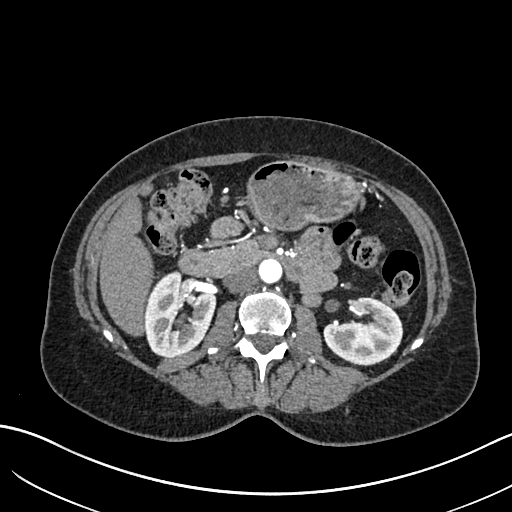
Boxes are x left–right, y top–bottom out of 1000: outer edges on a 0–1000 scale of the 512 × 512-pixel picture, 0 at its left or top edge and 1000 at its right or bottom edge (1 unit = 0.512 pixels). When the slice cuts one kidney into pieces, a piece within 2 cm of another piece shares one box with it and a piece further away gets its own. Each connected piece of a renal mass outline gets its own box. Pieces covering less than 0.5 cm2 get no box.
Slice 368/683 of a contrast-enhanced abdominal CT in the arterial phase, counting up from the lowest; pixel size 0.738 mm, slice thickness 1.00 mm. Boxed on this slice (two kidney boxes), listed by box centre from the image's left to its right: (1) Box x 279–424, y 529–699 out of 1000: right kidney (outlined area 4,650 px, about 25.3 cm2). (2) Left kidney at x 631–789, y 578–715 out of 1000 (outlined area 3,755 px, about 20.5 cm2). No renal mass is outlined on this slice.
Scan settings: 120 kVp, I30f reconstruction kernel.